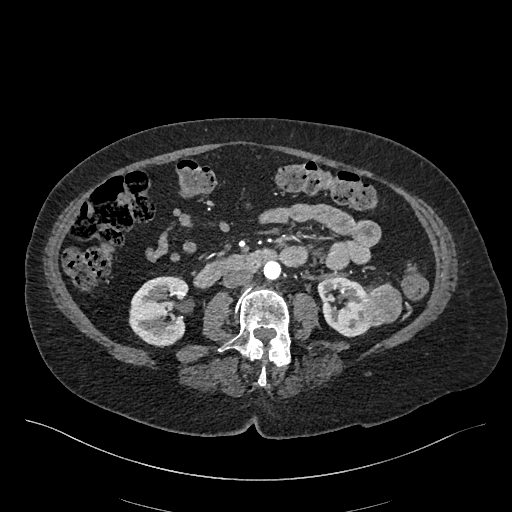
Abdominal CT with intravenous contrast, arterial phase, axial plane, 120 kVp, kernel I26f. Slice 210/548 from the bottom of the scan; thickness 1.00 mm; pixel size 0.852 mm.
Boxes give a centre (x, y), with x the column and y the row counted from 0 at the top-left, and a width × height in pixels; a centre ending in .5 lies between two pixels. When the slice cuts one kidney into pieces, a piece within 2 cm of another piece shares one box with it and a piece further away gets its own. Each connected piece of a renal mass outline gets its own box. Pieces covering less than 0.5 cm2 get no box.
Three boxes on this slice (two kidney boxes and one renal mass box), listed by box centre from the image's left to its right. (1) Right kidney in a box with centre (158.5, 311.5), 62 × 72 pixels (outlined area 3,390 px, about 24.6 cm2). (2) Left kidney, box centre (343, 306.5), 53 × 62 pixels (outlined area 2,319 px, about 16.8 cm2). (3) Box centre (382, 304.5), 41 × 46 pixels: left renal mass (outlined area 1,363 px, about 9.9 cm2).